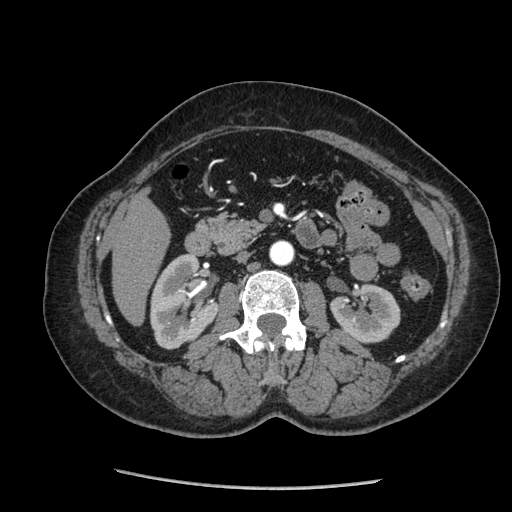
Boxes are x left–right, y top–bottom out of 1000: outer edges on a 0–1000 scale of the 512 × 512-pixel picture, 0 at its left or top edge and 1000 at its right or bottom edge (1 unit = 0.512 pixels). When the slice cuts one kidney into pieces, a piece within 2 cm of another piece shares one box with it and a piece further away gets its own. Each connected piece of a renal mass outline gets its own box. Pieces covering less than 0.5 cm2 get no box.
Slice 119/233 of a contrast-enhanced abdominal CT in the arterial phase, counting up from the lowest; pixel size 0.703 mm, slice thickness 1.25 mm. Two kidney boxes on this slice; by box centre, from the image's left to its right: (1) Right kidney at x 293–432, y 496–684 out of 1000 (outlined area 4,780 px, about 23.6 cm2). (2) Box x 645–783, y 551–672 out of 1000: left kidney (outlined area 3,086 px, about 15.3 cm2). This slice carries no renal mass outline.
Scan settings: 120 kVp, STANDARD reconstruction kernel.